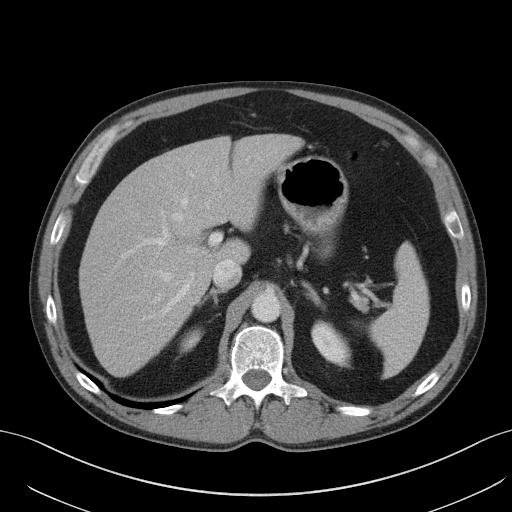
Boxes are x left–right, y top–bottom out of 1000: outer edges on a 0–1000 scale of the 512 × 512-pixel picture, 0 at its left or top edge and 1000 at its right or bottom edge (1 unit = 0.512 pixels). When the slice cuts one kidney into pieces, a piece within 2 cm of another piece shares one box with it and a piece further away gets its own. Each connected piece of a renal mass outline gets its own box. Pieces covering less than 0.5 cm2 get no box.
Arterial-phase contrast-enhanced abdominal CT, axial slice 70 of 131 (counted from the lowest slice); 5.00 mm thick, 0.760 mm per pixel. Two boxes on this slice (two kidney boxes), listed by box centre from the image's left to its right. (1) Box x 354–393, y 645–686 out of 1000: right kidney (outlined area 260 px, about 1.5 cm2). (2) Left kidney at x 607–684, y 627–717 out of 1000 (outlined area 1,142 px, about 6.6 cm2). No renal mass is outlined on this slice.
Scan settings: 120 kVp, B41f reconstruction kernel.